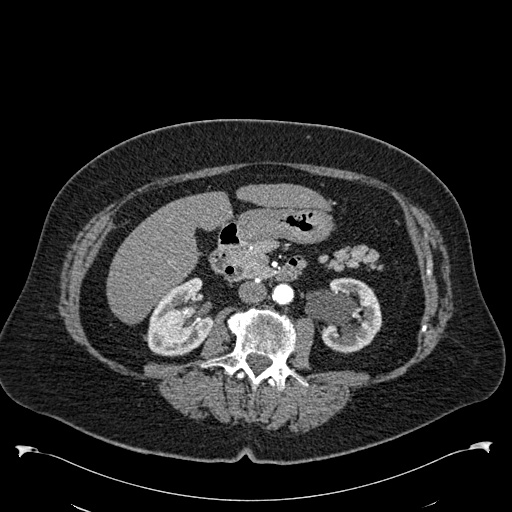
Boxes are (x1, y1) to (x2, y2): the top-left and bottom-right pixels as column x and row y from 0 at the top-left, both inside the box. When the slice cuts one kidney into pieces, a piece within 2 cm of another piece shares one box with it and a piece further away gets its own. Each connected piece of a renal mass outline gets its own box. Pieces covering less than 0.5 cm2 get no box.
Arterial-phase contrast-enhanced abdominal CT, axial slice 304 of 538 (counted from the lowest slice); 1.00 mm thick, 0.811 mm per pixel. Boxed on this slice (two kidney boxes), listed by box centre from the image's left to its right: (1) Right kidney from (146, 277) to (213, 356) (outlined area 3,725 px, about 24.5 cm2). (2) Left kidney, box (305, 277) to (382, 352) (outlined area 4,058 px, about 26.7 cm2). This slice carries no renal mass outline.
Tube voltage 120 kVp; convolution kernel B30f.